One axial slice (105 of 137, counting up from the lowest) of a contrast-enhanced abdominal CT acquired with 120 kVp, kernel FC52; each pixel is 0.741 mm and the slice is 3.00 mm thick.
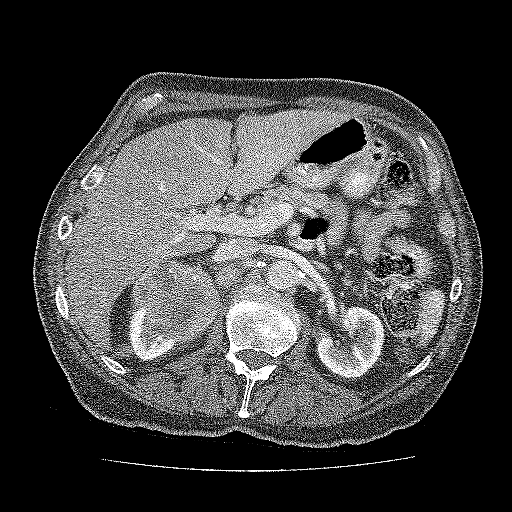
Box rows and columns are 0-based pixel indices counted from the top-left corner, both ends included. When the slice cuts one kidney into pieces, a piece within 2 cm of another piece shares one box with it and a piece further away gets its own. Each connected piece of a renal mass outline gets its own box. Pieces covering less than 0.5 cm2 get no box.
Two kidney boxes and one renal mass box on this slice; by box centre, from the image's left to its right: (1) Box rows 302–362, columns 128–186: kidney (outlined area 1,576 px, about 8.7 cm2). (2) Renal mass, box rows 260–343, columns 132–223 (outlined area 5,600 px, about 30.7 cm2). (3) Box rows 306–379, columns 317–385: kidney (outlined area 3,500 px, about 19.2 cm2).